Axial slice 373 of 548 of a contrast-enhanced abdominal CT in the arterial phase (slice 1 is the lowest), 120 kVp, kernel I26f; 1.00 mm slice thickness and 0.852 mm pixels.
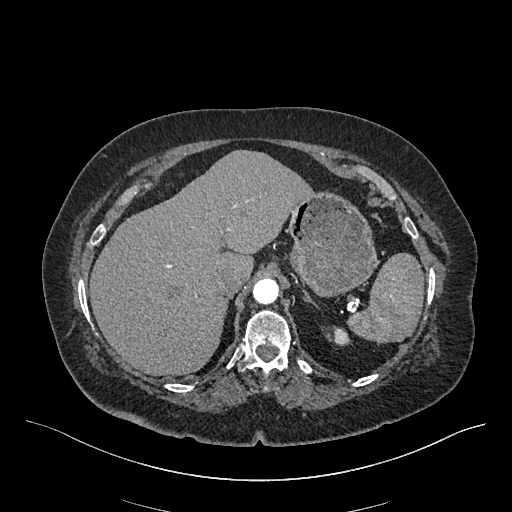
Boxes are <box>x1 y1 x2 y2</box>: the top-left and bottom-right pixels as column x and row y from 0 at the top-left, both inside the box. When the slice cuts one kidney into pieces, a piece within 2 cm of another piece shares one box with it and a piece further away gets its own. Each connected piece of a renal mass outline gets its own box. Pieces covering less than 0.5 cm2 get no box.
Left kidney at <box>332 328 349 345</box> (outlined area 245 px, about 1.8 cm2). This slice carries no renal mass outline.